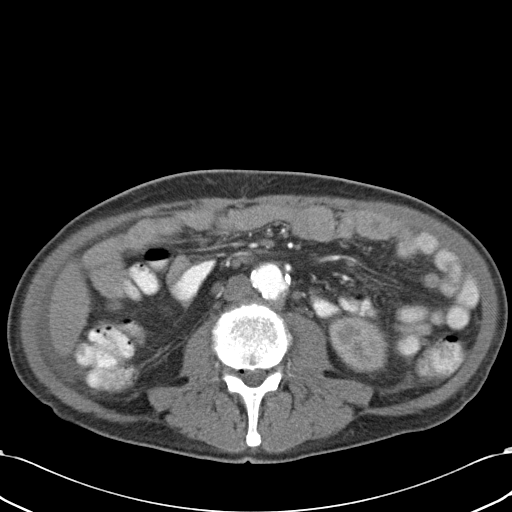
Axial slice 4 of 43 of a contrast-enhanced abdominal CT (slice 1 is the lowest), 120 kVp, kernel B31f; 5.00 mm slice thickness and 0.701 mm pixels.
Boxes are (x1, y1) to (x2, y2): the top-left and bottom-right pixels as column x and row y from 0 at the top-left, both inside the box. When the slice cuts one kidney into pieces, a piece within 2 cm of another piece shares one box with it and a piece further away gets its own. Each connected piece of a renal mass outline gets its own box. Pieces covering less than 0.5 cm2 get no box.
Left kidney from (328, 316) to (387, 372) (outlined area 2,694 px, about 13.2 cm2). This slice carries no renal mass outline.